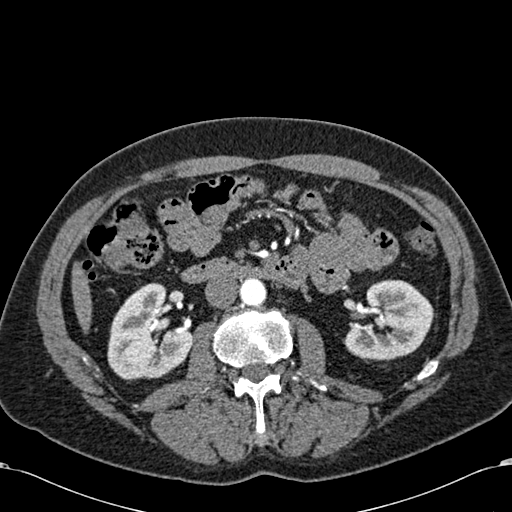
Arterial-phase contrast-enhanced abdominal CT, axial slice 325 of 581 (counted from the lowest slice); tube voltage 120 kVp, convolution kernel B30f; slices 1.00 mm thick, 0.713 mm per pixel.
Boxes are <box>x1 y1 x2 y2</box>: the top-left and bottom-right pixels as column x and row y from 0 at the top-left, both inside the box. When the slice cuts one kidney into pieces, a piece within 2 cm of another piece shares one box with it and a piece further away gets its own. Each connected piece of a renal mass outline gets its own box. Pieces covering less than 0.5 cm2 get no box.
Two kidney boxes on this slice; by box centre, from the image's left to its right: (1) Right kidney at <box>107 282 192 380</box> (outlined area 5,880 px, about 29.9 cm2). (2) At <box>342 279 433 360</box>: left kidney (outlined area 5,211 px, about 26.5 cm2). No renal mass outline on this slice.